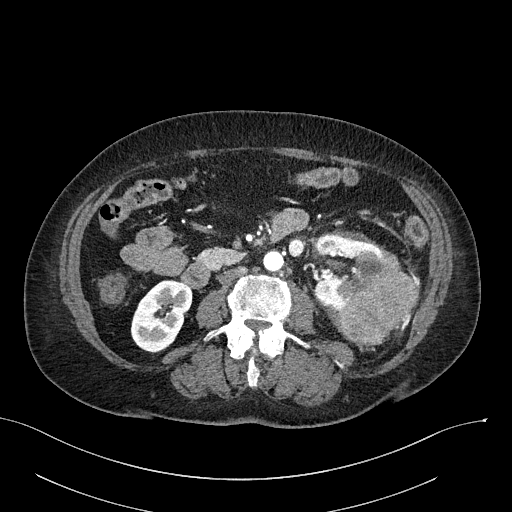
Axial slice 110 of 316 of a contrast-enhanced abdominal CT in the arterial phase (slice 1 is the lowest), 100 kVp, kernel I40f; 2.00 mm slice thickness and 0.840 mm pixels.
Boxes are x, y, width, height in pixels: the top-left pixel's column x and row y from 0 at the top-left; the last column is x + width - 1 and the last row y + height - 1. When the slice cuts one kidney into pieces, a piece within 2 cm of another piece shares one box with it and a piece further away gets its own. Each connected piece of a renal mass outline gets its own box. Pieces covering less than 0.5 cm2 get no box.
Two kidney boxes and one renal mass box on this slice; by box centre, from the image's left to its right: (1) Right kidney, box x 130, y 280, width 61, height 74 (outlined area 3,185 px, about 22.5 cm2). (2) Box x 314, y 234, width 69, height 79: left kidney (outlined area 3,566 px, about 25.2 cm2). (3) Box x 338, y 249, width 81, height 96: left renal mass (outlined area 4,427 px, about 31.2 cm2).